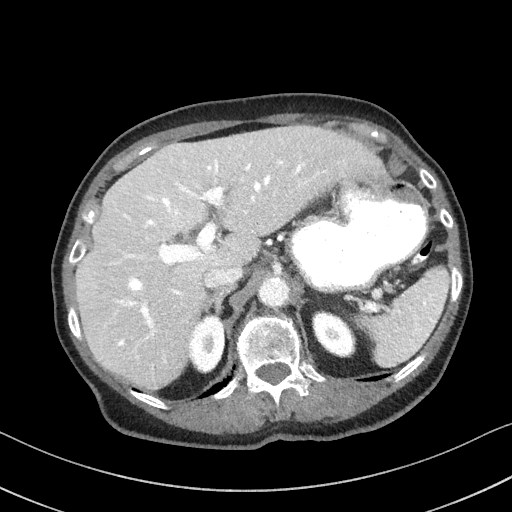
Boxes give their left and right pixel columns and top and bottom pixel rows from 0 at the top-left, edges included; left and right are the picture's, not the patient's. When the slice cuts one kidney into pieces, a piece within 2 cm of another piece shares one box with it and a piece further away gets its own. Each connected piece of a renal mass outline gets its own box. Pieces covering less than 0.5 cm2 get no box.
Contrast-enhanced abdominal CT, axial slice 72 of 92 (counted from the lowest slice); 3.00 mm thick, 0.684 mm per pixel. Two boxes on this slice (two kidney boxes), listed by box centre from the image's left to its right. (1) Box with left 188, top 316, right 225, bottom 373: right kidney (outlined area 1,652 px, about 7.7 cm2). (2) Left kidney, the box with left 313, top 312, right 354, bottom 357 (outlined area 1,405 px, about 6.6 cm2). This slice carries no renal mass outline.
Scan settings: 100 kVp, I41f reconstruction kernel.